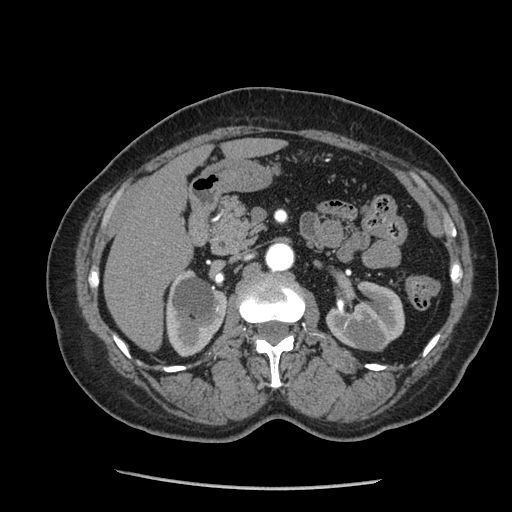
Axial slice 133 of 233 of a contrast-enhanced abdominal CT in the arterial phase (slice 1 is the lowest), 120 kVp, kernel STANDARD; 1.25 mm slice thickness and 0.703 mm pixels.
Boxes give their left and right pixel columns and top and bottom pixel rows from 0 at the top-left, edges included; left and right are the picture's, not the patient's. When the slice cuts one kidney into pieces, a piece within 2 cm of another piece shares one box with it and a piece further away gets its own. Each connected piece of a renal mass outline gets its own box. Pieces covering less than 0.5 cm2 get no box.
Three boxes on this slice (two kidney boxes and one renal mass box), listed by box centre from the image's left to its right. (1) Right kidney in the box with left 165, top 269, right 227, bottom 356 (outlined area 3,937 px, about 19.5 cm2). (2) Left kidney, the box with left 326, top 281, right 404, bottom 349 (outlined area 3,568 px, about 17.6 cm2). (3) Box with left 355, top 331, right 382, bottom 351: left renal mass (outlined area 441 px, about 2.2 cm2).